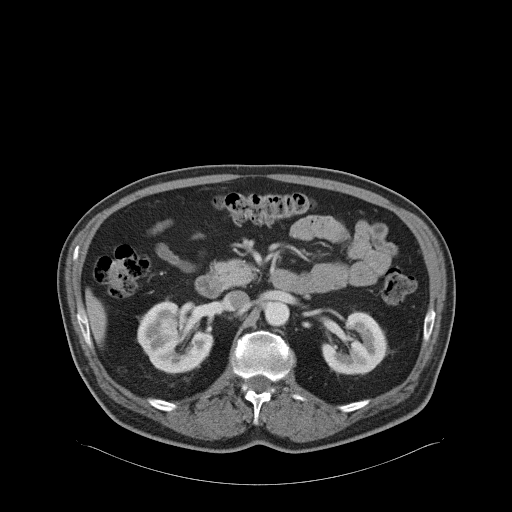
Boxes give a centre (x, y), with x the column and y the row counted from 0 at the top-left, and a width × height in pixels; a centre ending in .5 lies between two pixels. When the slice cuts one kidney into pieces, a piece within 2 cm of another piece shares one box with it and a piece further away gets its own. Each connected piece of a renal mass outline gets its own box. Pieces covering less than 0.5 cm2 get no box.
This is axial slice 40 of 68 (slice 1 is the lowest) of an arterial-phase abdominal CT with contrast; each pixel is 0.961 mm and the slice is 5.00 mm thick. Three boxes on this slice (two kidney boxes and one renal mass box), listed by box centre from the image's left to its right. (1) Right renal mass in a box with centre (174.5, 330.5), 42 × 36 pixels (outlined area 952 px, about 8.8 cm2). (2) Right kidney in a box with centre (174.5, 337), 76 × 75 pixels (outlined area 2,927 px, about 27.0 cm2). (3) Left kidney in a box with centre (354, 343), 67 × 65 pixels (outlined area 2,999 px, about 27.7 cm2).
Acquired at 120 kVp and reconstructed with the B31f kernel.